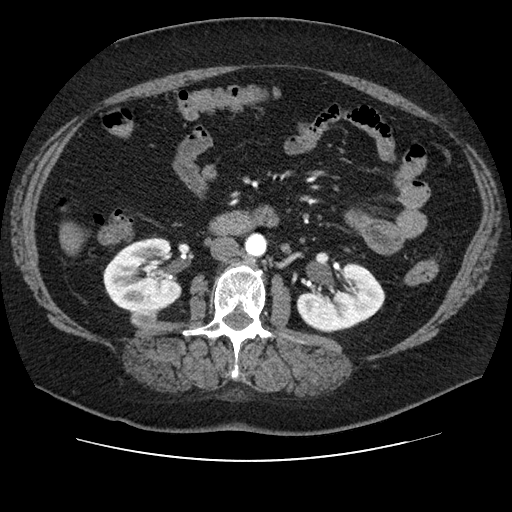
Axial slice 47 of 106 of a contrast-enhanced abdominal CT in the arterial phase (slice 1 is the lowest), 120 kVp, kernel STANDARD; 2.50 mm slice thickness and 0.742 mm pixels.
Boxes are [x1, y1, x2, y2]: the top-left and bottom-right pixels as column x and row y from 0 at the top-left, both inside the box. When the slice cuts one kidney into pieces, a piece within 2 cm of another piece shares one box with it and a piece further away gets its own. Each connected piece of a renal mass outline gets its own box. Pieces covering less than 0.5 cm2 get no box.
Three boxes on this slice (two kidney boxes and one renal mass box), listed by box centre from the image's left to its right. (1) Box [103, 236, 181, 312]: right kidney (outlined area 4,486 px, about 24.7 cm2). (2) Right renal mass at [130, 308, 159, 328] (outlined area 492 px, about 2.7 cm2). (3) Left kidney, box [296, 263, 385, 332] (outlined area 4,173 px, about 23.0 cm2).